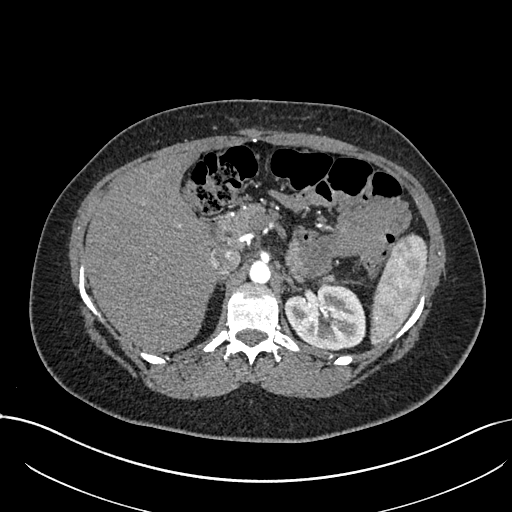
Abdominal CT with intravenous contrast, arterial phase, axial plane, 120 kVp, kernel I30f. Slice 505/738 from the bottom of the scan; thickness 1.00 mm; pixel size 0.789 mm.
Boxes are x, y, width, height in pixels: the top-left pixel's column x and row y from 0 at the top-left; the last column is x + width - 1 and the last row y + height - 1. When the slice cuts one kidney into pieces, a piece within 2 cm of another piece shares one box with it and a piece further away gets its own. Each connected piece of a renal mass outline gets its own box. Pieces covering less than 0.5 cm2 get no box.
Left kidney, box x 284, y 283, width 82, height 68 (outlined area 4,233 px, about 26.4 cm2). No renal mass outline on this slice.